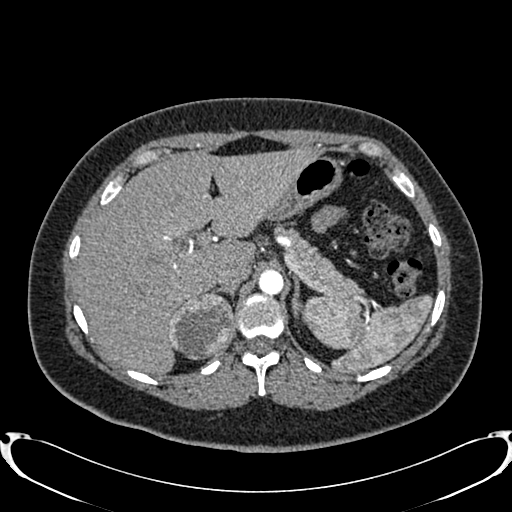
Arterial-phase contrast-enhanced abdominal CT, axial slice 600 of 719 (counted from the lowest slice); tube voltage 120 kVp, convolution kernel B20f; slices 1.00 mm thick, 0.766 mm per pixel.
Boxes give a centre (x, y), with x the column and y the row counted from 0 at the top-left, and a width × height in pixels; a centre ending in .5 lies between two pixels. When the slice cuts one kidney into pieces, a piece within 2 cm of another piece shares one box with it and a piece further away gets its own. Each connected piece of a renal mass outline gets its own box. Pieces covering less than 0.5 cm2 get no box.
Right renal mass, box centre (201.5, 325.5), 66 × 68 pixels (outlined area 3,410 px, about 20.0 cm2); no kidney outline appears on this slice, but the same outlined renal mass comes within 1 cm of the kidney on another slice.